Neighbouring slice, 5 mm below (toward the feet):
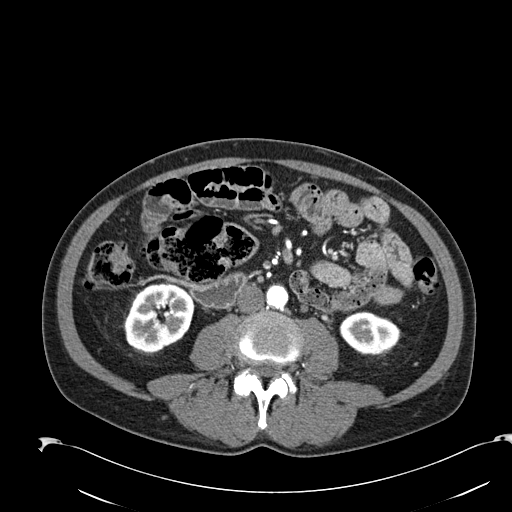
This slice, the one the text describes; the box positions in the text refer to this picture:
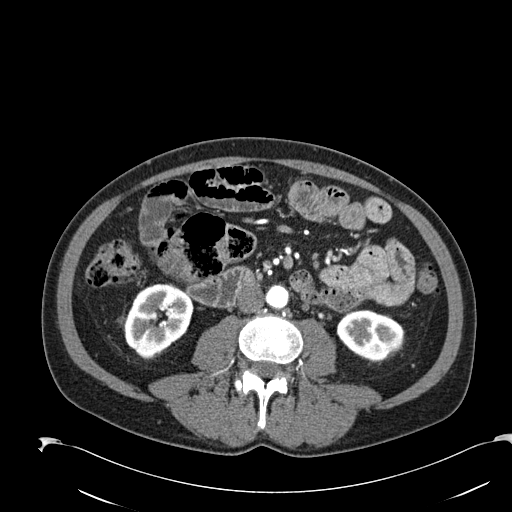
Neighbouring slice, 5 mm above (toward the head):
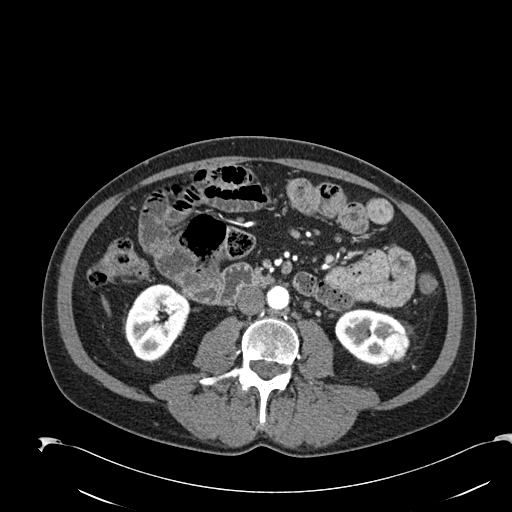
Abdominal CT with intravenous contrast, arterial phase, axial plane, 120 kVp, kernel B30f. Slice 76/274 from the bottom of the scan; thickness 2.00 mm; pixel size 0.809 mm.
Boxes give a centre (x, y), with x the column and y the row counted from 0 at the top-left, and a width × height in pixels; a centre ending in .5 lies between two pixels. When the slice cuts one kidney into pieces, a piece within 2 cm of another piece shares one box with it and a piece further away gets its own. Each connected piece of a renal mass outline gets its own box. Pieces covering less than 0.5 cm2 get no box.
Boxed on this slice (two kidney boxes and one renal mass box), listed by box centre from the image's left to its right: (1) Right kidney in a box with centre (159, 320.5), 69 × 76 pixels (outlined area 3,798 px, about 24.8 cm2). (2) Left kidney, box centre (370, 335), 69 × 53 pixels (outlined area 2,534 px, about 16.6 cm2). (3) Left renal mass in a box with centre (396, 345), 13 × 13 pixels (outlined area 149 px, about 1.0 cm2). This slice is near the end of the left renal mass toward the feet, so the slices 5 mm below and 5 mm above it are shown as well; the boxes refer to this slice only.